Contrast-enhanced abdominal CT, axial slice 17 of 61 (counted from the lowest slice); tube voltage 140 kVp, convolution kernel B41f; slices 3.00 mm thick, 0.939 mm per pixel.
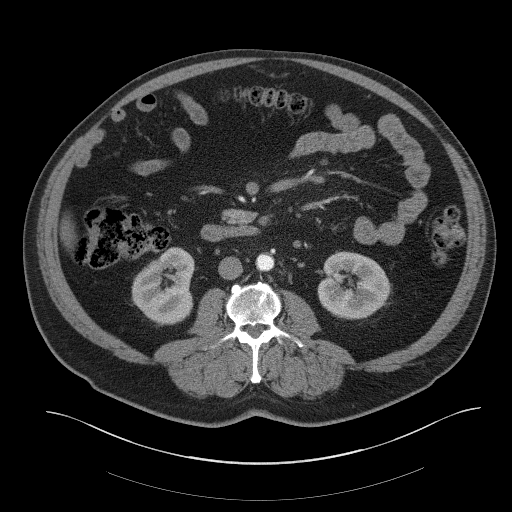
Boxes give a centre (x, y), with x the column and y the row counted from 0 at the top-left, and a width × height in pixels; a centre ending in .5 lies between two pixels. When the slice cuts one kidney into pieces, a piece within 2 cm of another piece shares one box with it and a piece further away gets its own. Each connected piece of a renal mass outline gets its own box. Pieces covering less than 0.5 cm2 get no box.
Two boxes on this slice (two kidney boxes), listed by box centre from the image's left to its right. (1) Right kidney in a box with centre (163, 286), 63 × 79 pixels (outlined area 3,669 px, about 32.4 cm2). (2) Left kidney in a box with centre (354, 285), 75 × 69 pixels (outlined area 3,853 px, about 34.0 cm2). This slice carries no renal mass outline.